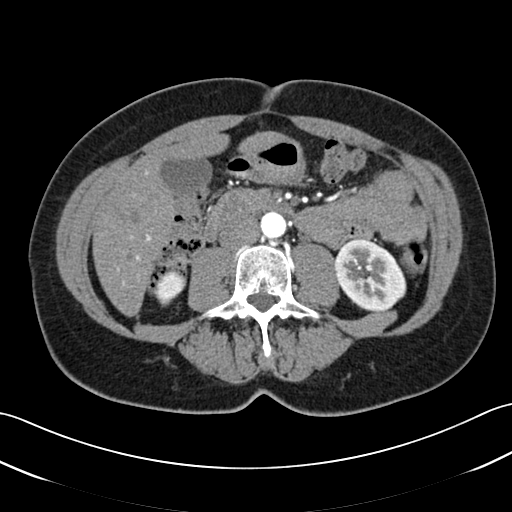
One axial slice (12 of 52, counting up from the lowest) of an arterial-phase abdominal CT acquired with 120 kVp, kernel B30f; each pixel is 0.678 mm and the slice is 3.00 mm thick.
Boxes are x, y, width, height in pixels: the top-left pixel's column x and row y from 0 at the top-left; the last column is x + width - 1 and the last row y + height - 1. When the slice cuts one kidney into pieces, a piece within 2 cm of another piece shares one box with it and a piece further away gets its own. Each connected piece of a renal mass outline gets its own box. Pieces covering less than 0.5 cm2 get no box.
Two boxes on this slice (two kidney boxes), listed by box centre from the image's left to its right. (1) Box x 154, y 269, width 33, height 38: right kidney (outlined area 809 px, about 3.7 cm2). (2) Box x 334, y 239, width 73, height 74: left kidney (outlined area 3,955 px, about 18.2 cm2). This slice carries no renal mass outline.